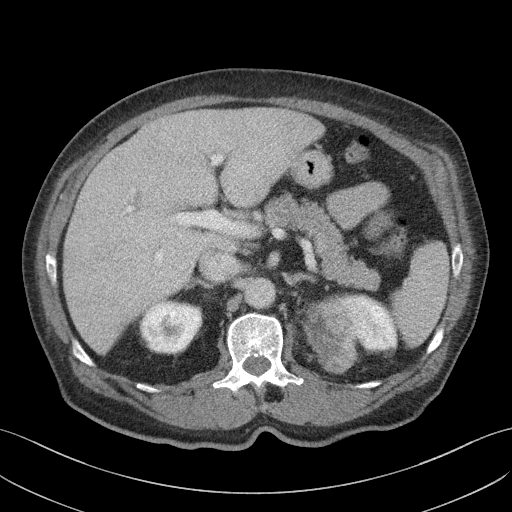
Abdominal CT with intravenous contrast, axial plane, 100 kVp, kernel I41f. Slice 79/103 from the bottom of the scan; thickness 4.00 mm; pixel size 0.742 mm.
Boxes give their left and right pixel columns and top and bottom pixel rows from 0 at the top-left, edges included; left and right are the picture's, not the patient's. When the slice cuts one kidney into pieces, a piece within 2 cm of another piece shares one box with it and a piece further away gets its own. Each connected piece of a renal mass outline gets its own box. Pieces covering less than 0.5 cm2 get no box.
Three boxes on this slice (two kidney boxes and one renal mass box), listed by box centre from the image's left to its right. (1) Right kidney in the box with left 139, top 300, right 202, bottom 353 (outlined area 2,631 px, about 14.5 cm2). (2) Left renal mass, the box with left 303, top 295, right 358, bottom 373 (outlined area 3,175 px, about 17.5 cm2). (3) Box with left 332, top 293, right 398, bottom 352: left kidney (outlined area 2,268 px, about 12.5 cm2).